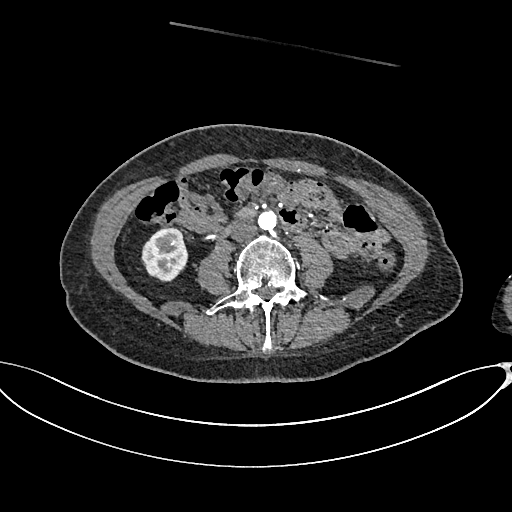
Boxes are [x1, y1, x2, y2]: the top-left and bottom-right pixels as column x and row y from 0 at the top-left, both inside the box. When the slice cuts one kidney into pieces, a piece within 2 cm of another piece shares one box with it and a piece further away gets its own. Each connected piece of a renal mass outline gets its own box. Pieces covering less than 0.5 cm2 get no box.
Slice 299/665 of a contrast-enhanced abdominal CT in the arterial phase, counting up from the lowest; pixel size 0.828 mm, slice thickness 1.00 mm. Right kidney at [141, 227, 188, 281] (outlined area 1,960 px, about 13.4 cm2). No renal mass is outlined on this slice.
Tube voltage 100 kVp; convolution kernel I26f.